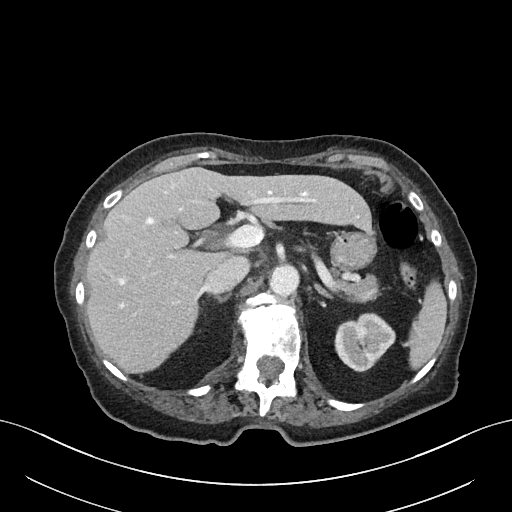
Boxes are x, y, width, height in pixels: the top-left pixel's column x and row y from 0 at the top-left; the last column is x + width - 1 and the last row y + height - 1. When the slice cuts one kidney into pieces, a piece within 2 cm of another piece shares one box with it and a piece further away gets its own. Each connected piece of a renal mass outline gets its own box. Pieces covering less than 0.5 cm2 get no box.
Contrast-enhanced abdominal CT, axial slice 46 of 76 (counted from the lowest slice); 3.00 mm thick, 0.768 mm per pixel. Left kidney, box x 334, y 312, width 62, height 61 (outlined area 2,588 px, about 15.2 cm2). No renal mass outline on this slice.
Acquired at 100 kVp and reconstructed with the I40f kernel.